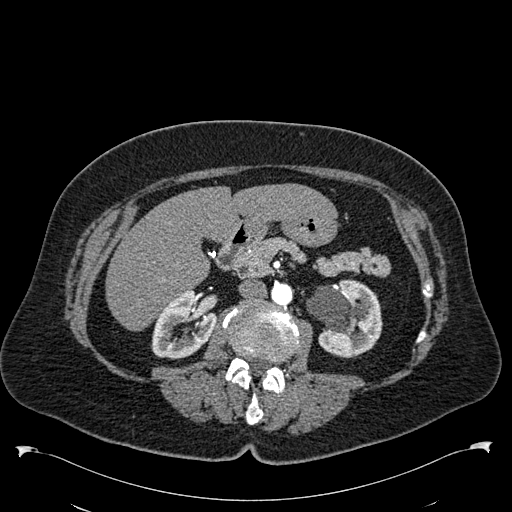
One axial slice (323 of 538, counting up from the lowest) of an arterial-phase abdominal CT acquired with 120 kVp, kernel B30f; each pixel is 0.811 mm and the slice is 1.00 mm thick.
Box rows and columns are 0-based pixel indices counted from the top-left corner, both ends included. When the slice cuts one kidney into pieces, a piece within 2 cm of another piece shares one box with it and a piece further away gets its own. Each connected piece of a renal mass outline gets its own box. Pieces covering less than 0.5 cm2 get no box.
Boxed on this slice (two kidney boxes), listed by box centre from the image's left to its right: (1) Box rows 288–359, columns 151–217: right kidney (outlined area 3,057 px, about 20.1 cm2). (2) Left kidney at rows 279–358, columns 306–382 (outlined area 4,390 px, about 28.8 cm2). No renal mass is outlined on this slice.